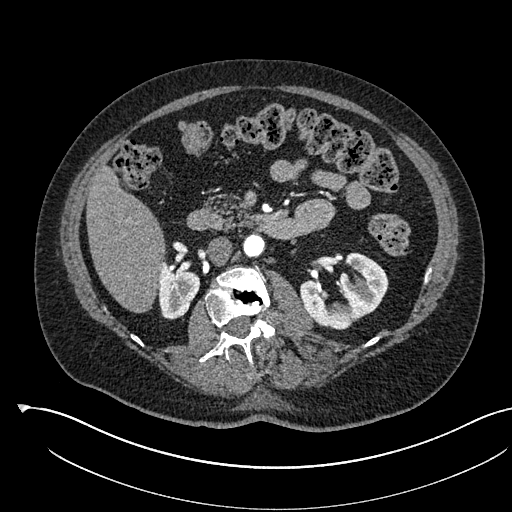
Abdominal CT with intravenous contrast, arterial phase, axial plane, 120 kVp, kernel I30f. Slice 320/541 from the bottom of the scan; thickness 1.00 mm; pixel size 0.834 mm.
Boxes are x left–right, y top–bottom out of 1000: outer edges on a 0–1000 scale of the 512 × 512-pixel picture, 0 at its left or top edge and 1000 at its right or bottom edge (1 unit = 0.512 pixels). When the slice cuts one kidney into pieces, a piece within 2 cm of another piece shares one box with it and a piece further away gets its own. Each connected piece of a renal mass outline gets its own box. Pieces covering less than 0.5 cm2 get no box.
Boxed on this slice (two kidney boxes), listed by box centre from the image's left to its right: (1) Right kidney, box x 307–393, y 506–625 out of 1000 (outlined area 1,887 px, about 13.1 cm2). (2) Box x 586–760, y 492–645 out of 1000: left kidney (outlined area 4,133 px, about 28.7 cm2). No renal mass outline on this slice.